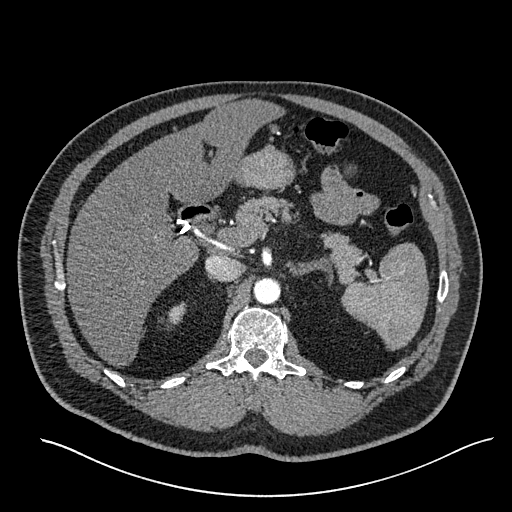
Axial slice 409 of 527 of a contrast-enhanced abdominal CT in the arterial phase (slice 1 is the lowest), 120 kVp, kernel I30f; 1.00 mm slice thickness and 0.859 mm pixels.
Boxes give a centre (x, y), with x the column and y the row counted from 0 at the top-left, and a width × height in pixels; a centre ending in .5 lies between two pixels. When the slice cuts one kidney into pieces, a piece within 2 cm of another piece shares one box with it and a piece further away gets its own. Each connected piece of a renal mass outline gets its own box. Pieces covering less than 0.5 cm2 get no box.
Right kidney, box centre (177, 313), 19 × 23 pixels (outlined area 295 px, about 2.2 cm2). No renal mass outline on this slice.